One axial slice (209 of 470, counting up from the lowest) of an arterial-phase abdominal CT acquired with 120 kVp, kernel I26f; each pixel is 0.938 mm and the slice is 1.00 mm thick.
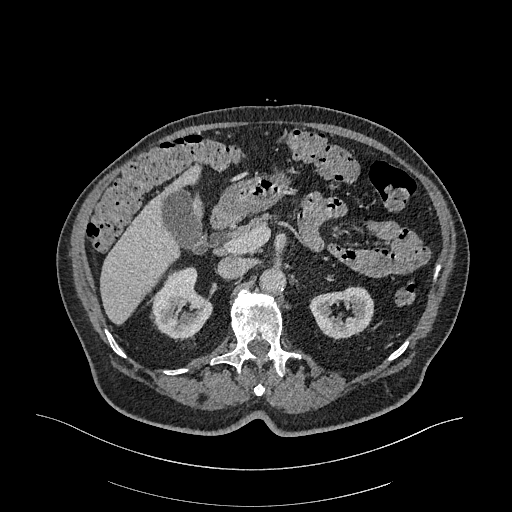
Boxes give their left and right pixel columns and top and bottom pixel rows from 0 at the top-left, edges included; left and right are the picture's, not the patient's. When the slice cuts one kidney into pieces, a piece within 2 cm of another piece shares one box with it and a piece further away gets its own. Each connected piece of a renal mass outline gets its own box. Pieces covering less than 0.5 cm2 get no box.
Boxed on this slice (two kidney boxes), listed by box centre from the image's left to its right: (1) Right kidney, the box with left 152, top 266, right 212, bottom 338 (outlined area 2,972 px, about 26.1 cm2). (2) Left kidney in the box with left 309, top 286, right 374, bottom 337 (outlined area 2,368 px, about 20.8 cm2). This slice carries no renal mass outline.